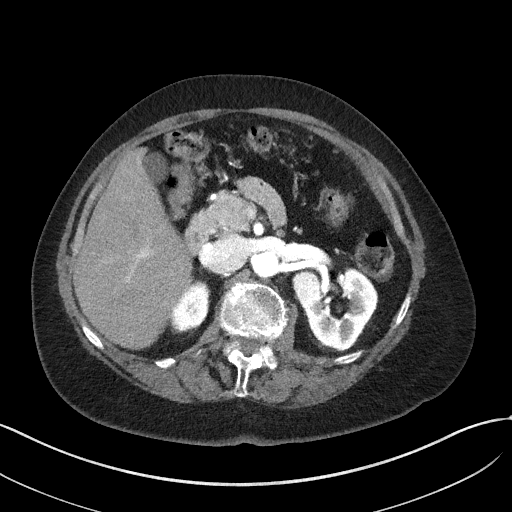
Abdominal CT with intravenous contrast, arterial phase, axial plane, 100 kVp, kernel I41f. Slice 33/50 from the bottom of the scan; thickness 3.00 mm; pixel size 0.758 mm.
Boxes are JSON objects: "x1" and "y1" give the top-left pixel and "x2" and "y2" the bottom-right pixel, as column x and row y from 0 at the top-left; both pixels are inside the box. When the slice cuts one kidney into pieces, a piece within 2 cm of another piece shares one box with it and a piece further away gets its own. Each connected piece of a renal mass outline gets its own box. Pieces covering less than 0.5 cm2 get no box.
Boxed on this slice (two kidney boxes and one renal mass box), listed by box centre from the image's left to its right: (1) Box {"x1": 172, "y1": 281, "x2": 210, "y2": 332}: right kidney (outlined area 1,438 px, about 8.3 cm2). (2) Box {"x1": 292, "y1": 269, "x2": 320, "y2": 303}: left renal mass (outlined area 764 px, about 4.4 cm2). (3) Left kidney at {"x1": 302, "y1": 267, "x2": 378, "y2": 351} (outlined area 4,080 px, about 23.4 cm2).